Axial slice 635 of 719 of a contrast-enhanced abdominal CT in the arterial phase (slice 1 is the lowest), 120 kVp, kernel B20f; 1.00 mm slice thickness and 0.766 mm pixels.
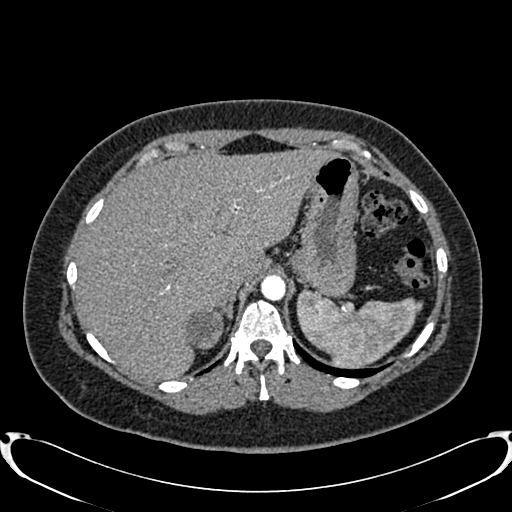
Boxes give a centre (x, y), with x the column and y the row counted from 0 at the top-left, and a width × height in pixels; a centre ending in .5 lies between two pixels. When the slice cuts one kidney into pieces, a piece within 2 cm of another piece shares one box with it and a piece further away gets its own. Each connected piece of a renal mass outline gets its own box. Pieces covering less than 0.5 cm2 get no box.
Right renal mass, box centre (204, 327), 39 × 45 pixels (outlined area 1,369 px, about 8.0 cm2); no kidney outline appears on this slice, but the same outlined renal mass comes within 1 cm of the kidney on another slice.